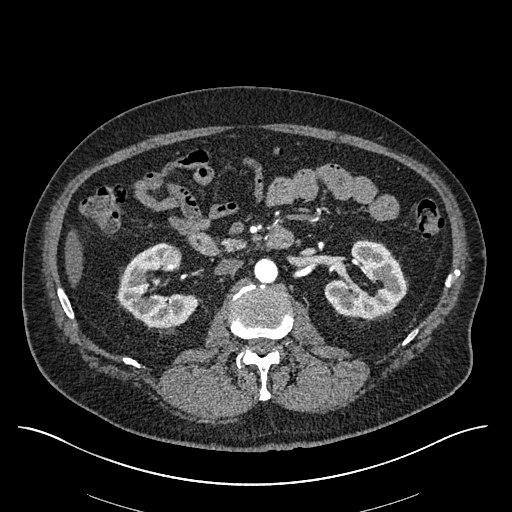
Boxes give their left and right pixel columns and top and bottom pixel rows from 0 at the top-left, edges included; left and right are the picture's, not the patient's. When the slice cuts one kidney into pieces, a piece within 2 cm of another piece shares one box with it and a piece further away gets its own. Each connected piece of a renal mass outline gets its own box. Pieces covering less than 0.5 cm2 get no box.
Arterial-phase contrast-enhanced abdominal CT, axial slice 326 of 670 (counted from the lowest slice); 1.00 mm thick, 0.861 mm per pixel. Two kidney boxes and one renal mass box on this slice; by box centre, from the image's left to its right: (1) Right kidney in the box with left 117, top 242, right 198, bottom 327 (outlined area 3,924 px, about 29.1 cm2). (2) Right renal mass in the box with left 161, top 245, right 182, bottom 267 (outlined area 363 px, about 2.7 cm2). (3) Left kidney in the box with left 324, top 240, right 406, bottom 318 (outlined area 4,209 px, about 31.2 cm2).
Acquired at 120 kVp and reconstructed with the I30f kernel.